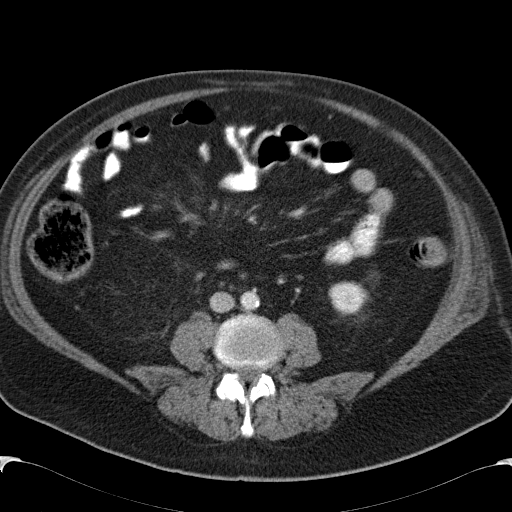
Axial slice 58 of 99 of a contrast-enhanced abdominal CT (slice 1 is the lowest), 120 kVp, kernel B31f; 5.00 mm slice thickness and 0.742 mm pixels.
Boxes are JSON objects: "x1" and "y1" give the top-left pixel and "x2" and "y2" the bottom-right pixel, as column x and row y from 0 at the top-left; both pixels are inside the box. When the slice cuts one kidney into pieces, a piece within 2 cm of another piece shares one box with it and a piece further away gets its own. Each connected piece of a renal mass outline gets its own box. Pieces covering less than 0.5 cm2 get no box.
Left kidney at {"x1": 328, "y1": 281, "x2": 369, "y2": 316} (outlined area 1,094 px, about 6.0 cm2). No renal mass outline on this slice.